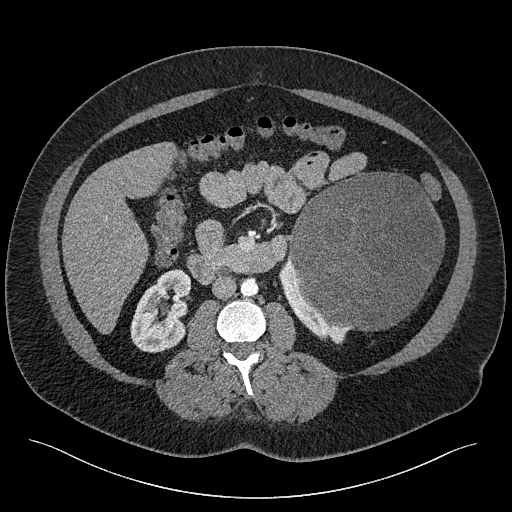
Abdominal CT with intravenous contrast, axial plane, 120 kVp, kernel I40f. Slice 114/301 from the bottom of the scan; thickness 2.00 mm; pixel size 0.859 mm.
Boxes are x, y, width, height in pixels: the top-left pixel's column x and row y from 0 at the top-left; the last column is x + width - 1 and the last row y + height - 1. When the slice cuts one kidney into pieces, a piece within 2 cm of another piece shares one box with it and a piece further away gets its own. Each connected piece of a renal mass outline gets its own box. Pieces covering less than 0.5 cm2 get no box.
Boxed on this slice (two kidney boxes and one renal mass box), listed by box centre from the image's left to its right: (1) Right kidney, box x 130, y 269, width 62, height 84 (outlined area 3,675 px, about 27.1 cm2). (2) Box x 279, y 257, width 71, height 88: left kidney (outlined area 1,577 px, about 11.6 cm2). (3) Box x 287, y 172, width 159, height 160: left renal mass (outlined area 19,241 px, about 142.1 cm2).